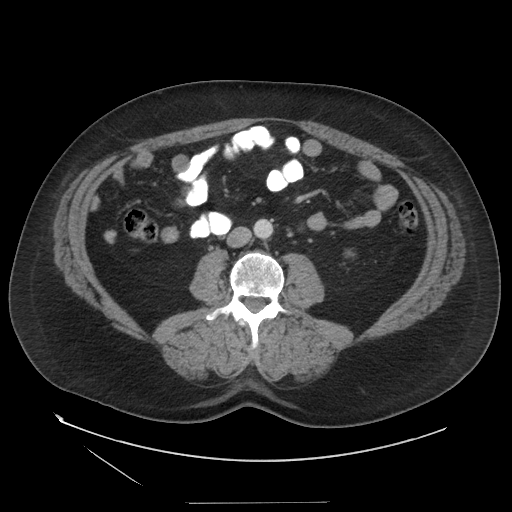
Abdominal CT with intravenous contrast, arterial phase, axial plane, 140 kVp, kernel STANDARD. Slice 63/129 from the bottom of the scan; thickness 3.75 mm; pixel size 0.938 mm.
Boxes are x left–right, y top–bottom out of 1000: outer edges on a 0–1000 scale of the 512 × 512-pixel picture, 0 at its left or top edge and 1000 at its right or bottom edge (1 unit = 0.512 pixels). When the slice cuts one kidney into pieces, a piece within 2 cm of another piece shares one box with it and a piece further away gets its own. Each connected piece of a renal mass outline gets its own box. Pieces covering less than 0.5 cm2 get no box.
Left kidney at x 674–693, y 488–504 out of 1000 (outlined area 57 px, about 0.5 cm2). No renal mass outline on this slice.